One axial slice (78 of 98, counting up from the lowest) of a contrast-enhanced abdominal CT acquired with 130 kVp, kernel B30s; each pixel is 0.840 mm and the slice is 5.00 mm thick.
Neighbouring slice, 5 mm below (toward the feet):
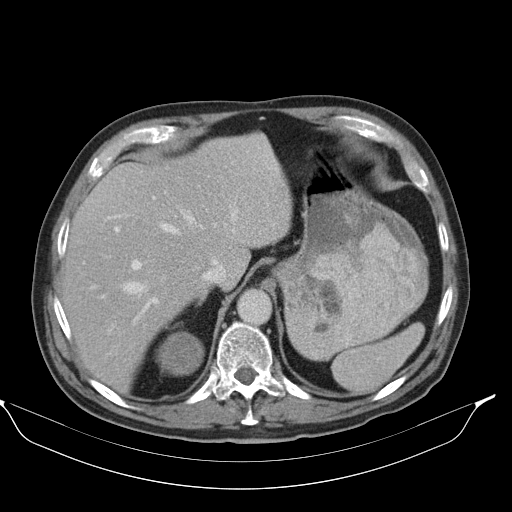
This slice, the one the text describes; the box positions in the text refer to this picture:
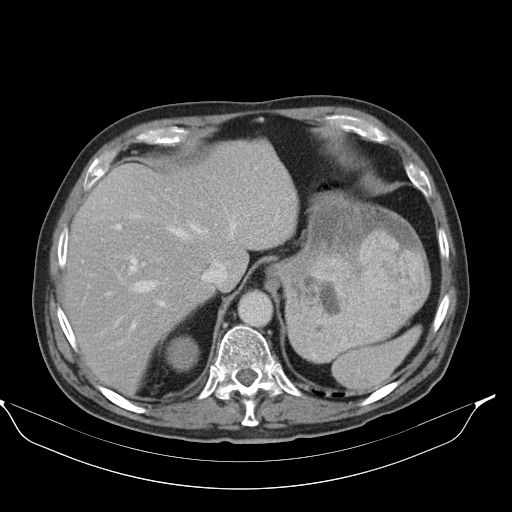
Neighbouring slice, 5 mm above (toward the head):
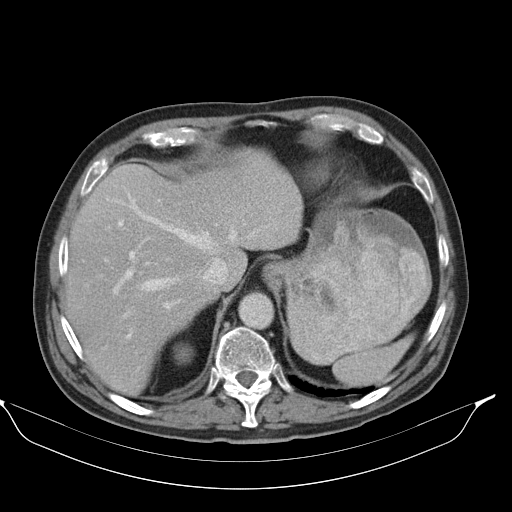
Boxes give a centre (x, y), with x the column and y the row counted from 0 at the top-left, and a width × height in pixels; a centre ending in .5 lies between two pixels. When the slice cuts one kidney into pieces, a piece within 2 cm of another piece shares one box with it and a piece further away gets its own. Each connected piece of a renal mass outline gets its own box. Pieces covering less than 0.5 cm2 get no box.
Right renal mass in a box with centre (182, 353.5), 35 × 36 pixels (outlined area 934 px, about 6.6 cm2); this slice has no kidney outline, though on another slice the same outlined renal mass lies within 1 cm of the kidney. This slice is near the end of the right renal mass toward the head, so the slices 5 mm below and 5 mm above it are shown as well; the boxes refer to this slice only.